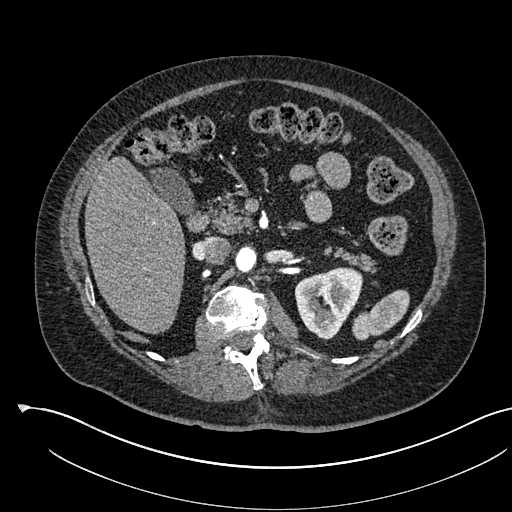
Abdominal CT with intravenous contrast, arterial phase, axial plane, 120 kVp, kernel I30f. Slice 357/541 from the bottom of the scan; thickness 1.00 mm; pixel size 0.834 mm.
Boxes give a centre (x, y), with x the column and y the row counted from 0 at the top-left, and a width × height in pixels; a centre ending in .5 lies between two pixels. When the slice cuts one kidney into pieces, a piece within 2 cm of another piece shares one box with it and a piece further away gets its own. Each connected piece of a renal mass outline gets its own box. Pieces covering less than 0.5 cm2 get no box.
Box centre (328.5, 303.5), 70 × 74 pixels: left kidney (outlined area 3,494 px, about 24.3 cm2). No renal mass is outlined on this slice.